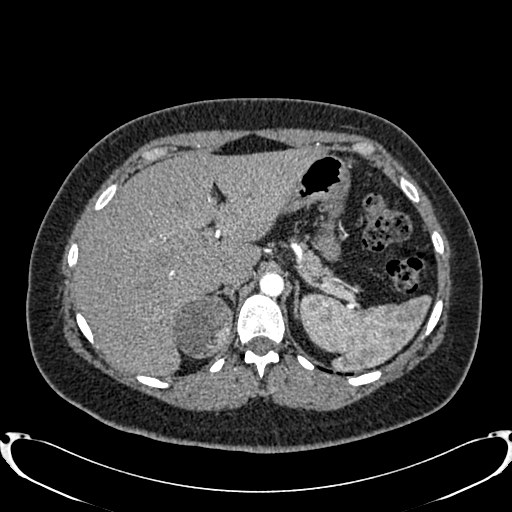
One axial slice (611 of 719, counting up from the lowest) of an arterial-phase abdominal CT acquired with 120 kVp, kernel B20f; each pixel is 0.766 mm and the slice is 1.00 mm thick.
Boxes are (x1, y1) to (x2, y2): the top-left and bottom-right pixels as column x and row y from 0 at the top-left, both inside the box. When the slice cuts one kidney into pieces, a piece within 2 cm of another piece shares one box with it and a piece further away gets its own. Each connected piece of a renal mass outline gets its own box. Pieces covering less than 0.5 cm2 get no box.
Right renal mass, box (171, 294) to (232, 358) (outlined area 3,017 px, about 17.7 cm2); no kidney outline appears on this slice, but the same outlined renal mass comes within 1 cm of the kidney on another slice.